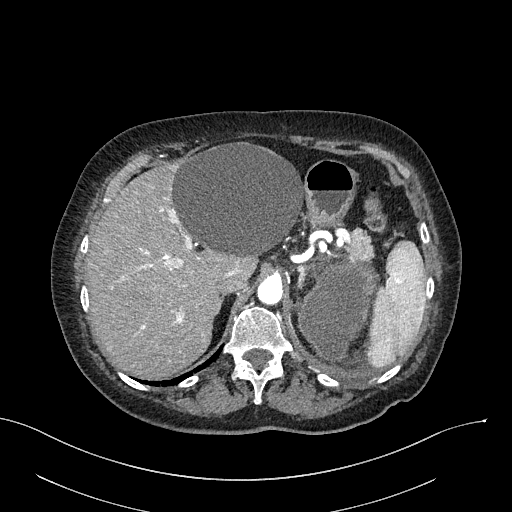
Arterial-phase contrast-enhanced abdominal CT, axial slice 207 of 316 (counted from the lowest slice); tube voltage 100 kVp, convolution kernel I40f; slices 2.00 mm thick, 0.840 mm per pixel.
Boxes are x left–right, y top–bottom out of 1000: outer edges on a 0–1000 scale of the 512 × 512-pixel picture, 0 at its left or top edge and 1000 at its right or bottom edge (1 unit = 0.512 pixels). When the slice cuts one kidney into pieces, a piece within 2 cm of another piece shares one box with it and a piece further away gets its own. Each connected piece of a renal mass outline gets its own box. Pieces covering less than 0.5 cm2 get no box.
Left renal mass at x 578–738, y 506–709 out of 1000 (outlined area 5,731 px, about 40.4 cm2); no kidney is outlined on this slice, but the same outlined renal mass comes within 1 cm of the kidney on another slice.